Contrast-enhanced abdominal CT, axial slice 19 of 301 (counted from the lowest slice); tube voltage 120 kVp, convolution kernel I40f; slices 2.00 mm thick, 0.859 mm per pixel.
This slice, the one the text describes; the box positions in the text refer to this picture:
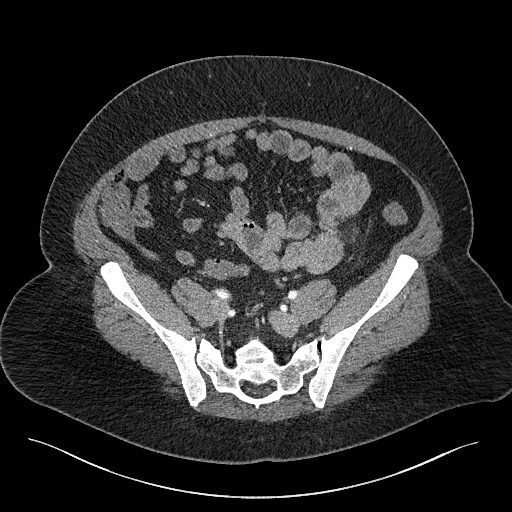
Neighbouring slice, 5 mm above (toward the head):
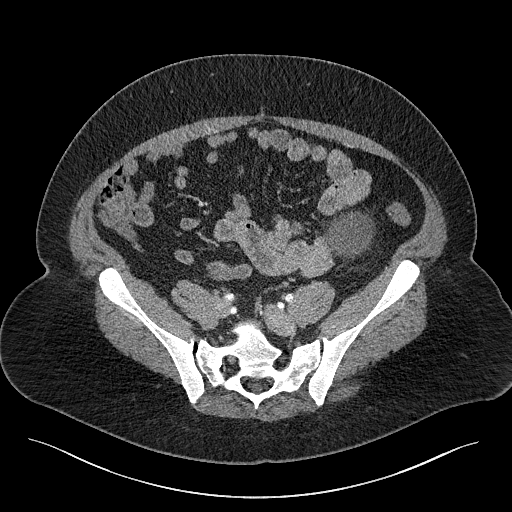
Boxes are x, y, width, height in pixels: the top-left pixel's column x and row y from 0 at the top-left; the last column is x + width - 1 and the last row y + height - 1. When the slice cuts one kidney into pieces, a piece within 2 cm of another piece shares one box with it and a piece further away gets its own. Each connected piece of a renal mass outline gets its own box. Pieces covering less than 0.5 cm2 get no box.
Left renal mass at x 350, y 228, width 9, height 15 (outlined area 68 px, about 0.5 cm2); no kidney is outlined on this slice, but the same outlined renal mass comes within 1 cm of the kidney on another slice. This slice lies near the end of the left renal mass toward the feet; the slice 5 mm above it is shown too, and the boxes mark positions on this slice only.